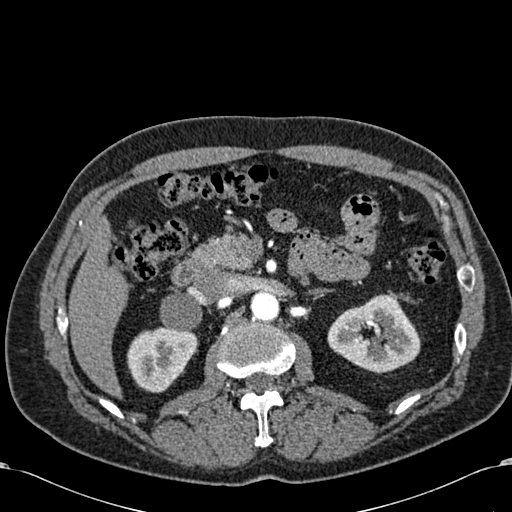
Arterial-phase contrast-enhanced abdominal CT, axial slice 387 of 581 (counted from the lowest slice); tube voltage 120 kVp, convolution kernel B30f; slices 1.00 mm thick, 0.713 mm per pixel.
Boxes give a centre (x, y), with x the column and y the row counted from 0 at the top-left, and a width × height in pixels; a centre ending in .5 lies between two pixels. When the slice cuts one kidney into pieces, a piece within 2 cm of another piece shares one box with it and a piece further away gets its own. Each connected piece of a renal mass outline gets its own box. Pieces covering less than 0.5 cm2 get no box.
Two kidney boxes on this slice; by box centre, from the image's left to its right: (1) Box centre (162.5, 358.5), 72 × 68 pixels: right kidney (outlined area 3,452 px, about 17.5 cm2). (2) Left kidney, box centre (373.5, 333), 94 × 81 pixels (outlined area 5,100 px, about 25.9 cm2). This slice carries no renal mass outline.